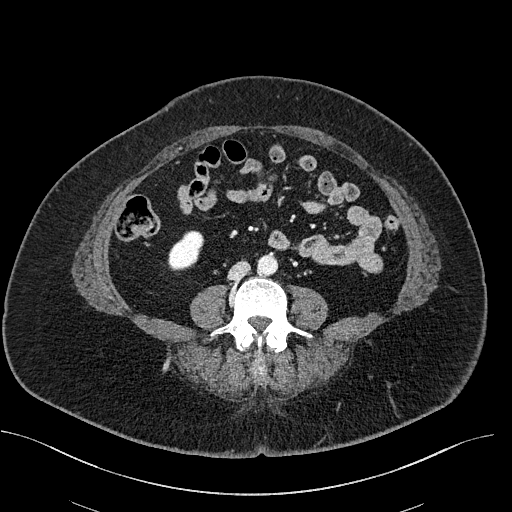
Abdominal CT with intravenous contrast, axial plane, 100 kVp, kernel I40f. Slice 240/470 from the bottom of the scan; thickness 2.00 mm; pixel size 0.824 mm.
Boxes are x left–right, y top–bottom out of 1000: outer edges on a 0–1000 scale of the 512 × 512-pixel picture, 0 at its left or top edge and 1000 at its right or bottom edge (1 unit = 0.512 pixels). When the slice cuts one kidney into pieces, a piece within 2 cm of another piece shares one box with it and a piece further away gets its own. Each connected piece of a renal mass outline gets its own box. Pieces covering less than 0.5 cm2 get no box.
Box x 326–400, y 449–529 out of 1000: right kidney (outlined area 1,037 px, about 7.0 cm2). No renal mass is outlined on this slice.